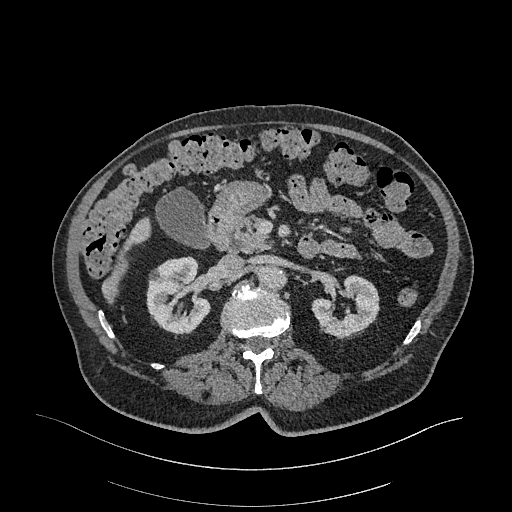
Axial slice 187 of 470 of a contrast-enhanced abdominal CT in the arterial phase (slice 1 is the lowest), 120 kVp, kernel I26f; 1.00 mm slice thickness and 0.938 mm pixels.
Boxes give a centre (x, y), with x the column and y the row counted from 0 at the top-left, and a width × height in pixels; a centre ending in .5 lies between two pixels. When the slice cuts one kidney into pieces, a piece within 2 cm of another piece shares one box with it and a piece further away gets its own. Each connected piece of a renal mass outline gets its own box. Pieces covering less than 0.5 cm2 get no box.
Two kidney boxes on this slice; by box centre, from the image's left to its right: (1) Right kidney in a box with centre (178.5, 295.5), 66 × 80 pixels (outlined area 3,709 px, about 32.6 cm2). (2) Left kidney in a box with centre (345, 306), 69 × 63 pixels (outlined area 2,719 px, about 23.9 cm2). No renal mass outline on this slice.